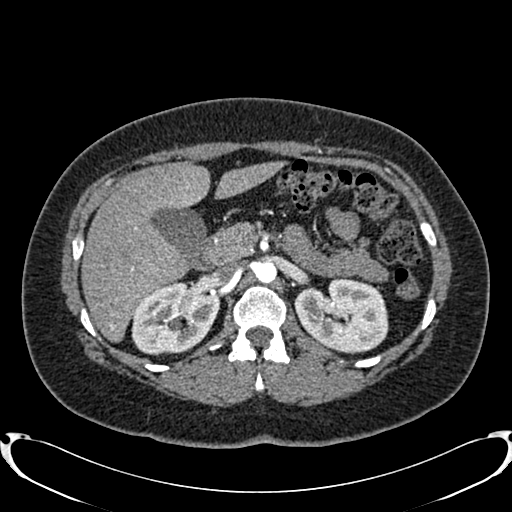
Arterial-phase contrast-enhanced abdominal CT, axial slice 518 of 719 (counted from the lowest slice); tube voltage 120 kVp, convolution kernel B20f; slices 1.00 mm thick, 0.766 mm per pixel.
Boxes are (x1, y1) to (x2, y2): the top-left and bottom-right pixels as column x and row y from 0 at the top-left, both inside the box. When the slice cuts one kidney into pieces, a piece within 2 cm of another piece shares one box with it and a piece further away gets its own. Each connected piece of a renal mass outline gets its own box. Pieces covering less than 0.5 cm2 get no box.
Two boxes on this slice (two kidney boxes), listed by box centre from the image's left to its right. (1) Right kidney, box (131, 282) to (220, 355) (outlined area 4,877 px, about 28.6 cm2). (2) Box (294, 277) to (388, 354): left kidney (outlined area 5,419 px, about 31.8 cm2). This slice carries no renal mass outline.